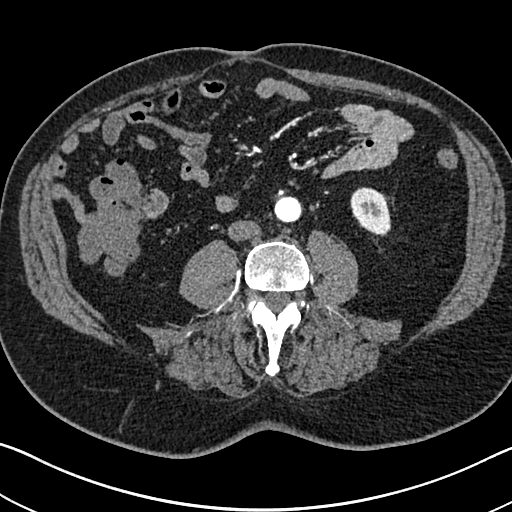
One axial slice (282 of 705, counting up from the lowest) of an arterial-phase abdominal CT acquired with 120 kVp, kernel I30f; each pixel is 0.703 mm and the slice is 1.00 mm thick.
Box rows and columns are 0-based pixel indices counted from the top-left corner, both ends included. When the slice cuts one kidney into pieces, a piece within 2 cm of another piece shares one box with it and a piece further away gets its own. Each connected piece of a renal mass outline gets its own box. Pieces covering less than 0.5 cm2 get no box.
Left kidney, box rows 187–235, columns 350–390 (outlined area 1,501 px, about 7.4 cm2). No renal mass outline on this slice.